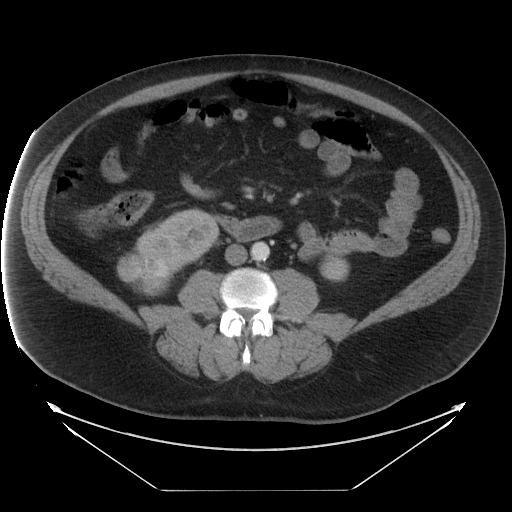
One axial slice (6 of 29, counting up from the lowest) of a contrast-enhanced abdominal CT acquired with 120 kVp, kernel STANDARD; each pixel is 0.977 mm and the slice is 5.00 mm thick.
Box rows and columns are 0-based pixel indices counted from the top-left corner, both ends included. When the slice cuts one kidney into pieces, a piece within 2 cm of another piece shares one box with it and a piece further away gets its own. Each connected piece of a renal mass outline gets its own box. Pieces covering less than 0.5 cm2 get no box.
Boxed on this slice (two kidney boxes and one renal mass box), listed by box centre from the image's left to its right: (1) Right renal mass at rows 254–296, columns 116–171 (outlined area 1,798 px, about 17.1 cm2). (2) Right kidney, box rows 209–276, columns 127–219 (outlined area 3,337 px, about 31.8 cm2). (3) Left kidney at rows 255–280, columns 319–349 (outlined area 617 px, about 5.9 cm2).